Axial slice 267 of 538 of a contrast-enhanced abdominal CT in the arterial phase (slice 1 is the lowest), 120 kVp, kernel B30f; 1.00 mm slice thickness and 0.811 mm pixels.
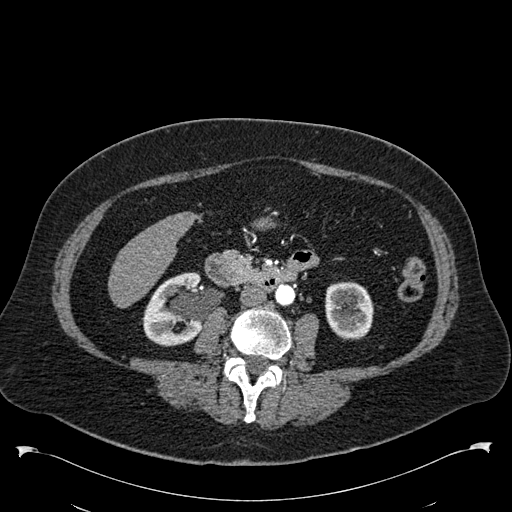
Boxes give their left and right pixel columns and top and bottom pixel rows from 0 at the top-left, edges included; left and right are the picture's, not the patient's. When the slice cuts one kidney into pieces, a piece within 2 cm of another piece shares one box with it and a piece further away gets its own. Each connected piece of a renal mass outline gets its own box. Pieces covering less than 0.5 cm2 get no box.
Boxed on this slice (two kidney boxes), listed by box centre from the image's left to its right: (1) Box with left 142, top 272, right 201, bottom 346: right kidney (outlined area 3,361 px, about 22.1 cm2). (2) Left kidney, the box with left 325, top 281, right 373, bottom 339 (outlined area 2,366 px, about 15.5 cm2). This slice carries no renal mass outline.